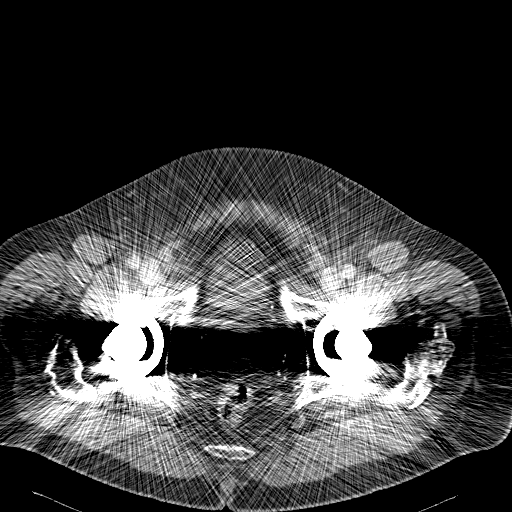
Abdominal CT with intravenous contrast, arterial phase, axial plane, 120 kVp, kernel B31f. Slice 31/114 from the bottom of the scan; thickness 5.00 mm; pixel size 0.781 mm.
Outside the outlined region: no kidney outline and no renal mass outline on this slice. The scan's outlines cover only kidneys and renal masses; no other organ is outlined.